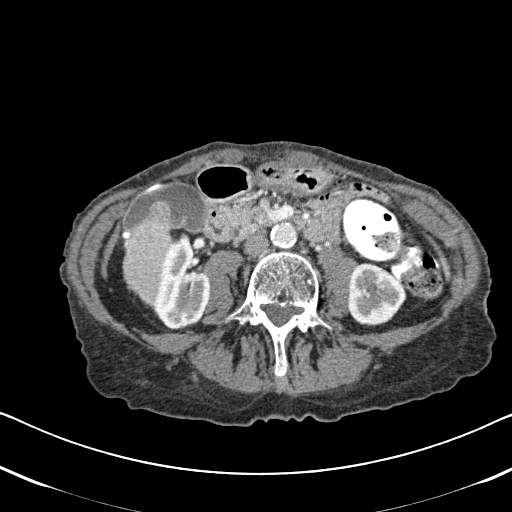
Abdominal CT with intravenous contrast, arterial phase, axial plane, 120 kVp, kernel B31f. Slice 257/620 from the bottom of the scan; thickness 2.00 mm; pixel size 0.637 mm.
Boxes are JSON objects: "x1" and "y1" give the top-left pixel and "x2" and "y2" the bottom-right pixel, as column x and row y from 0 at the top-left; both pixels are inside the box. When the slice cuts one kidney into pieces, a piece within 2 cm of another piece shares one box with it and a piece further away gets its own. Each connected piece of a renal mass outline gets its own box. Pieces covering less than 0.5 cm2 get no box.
Two kidney boxes on this slice; by box centre, from the image's left to its right: (1) Box {"x1": 152, "y1": 233, "x2": 210, "y2": 329}: right kidney (outlined area 3,987 px, about 16.2 cm2). (2) Left kidney at {"x1": 346, "y1": 262, "x2": 406, "y2": 326} (outlined area 2,901 px, about 11.8 cm2). No renal mass is outlined on this slice.